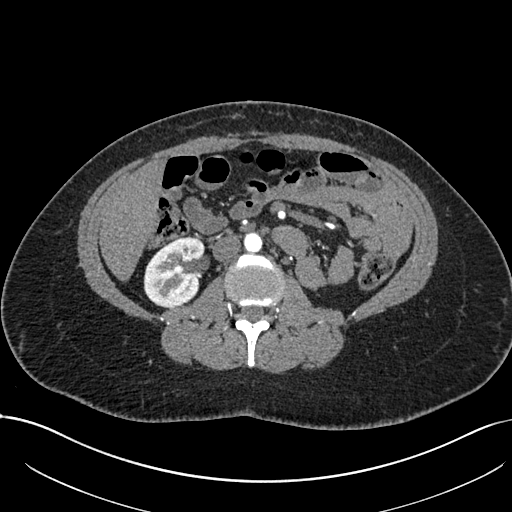
Axial slice 376 of 738 of a contrast-enhanced abdominal CT in the arterial phase (slice 1 is the lowest), 120 kVp, kernel I30f; 1.00 mm slice thickness and 0.789 mm pixels.
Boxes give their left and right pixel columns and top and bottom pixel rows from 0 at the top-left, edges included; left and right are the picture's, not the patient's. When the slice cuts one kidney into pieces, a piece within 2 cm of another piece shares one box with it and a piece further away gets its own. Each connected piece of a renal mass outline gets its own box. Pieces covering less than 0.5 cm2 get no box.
Right kidney, the box with left 143, top 236, right 204, bottom 307 (outlined area 3,343 px, about 20.8 cm2). No renal mass is outlined on this slice.